One axial slice (525 of 738, counting up from the lowest) of an arterial-phase abdominal CT acquired with 120 kVp, kernel I30f; each pixel is 0.789 mm and the slice is 1.00 mm thick.
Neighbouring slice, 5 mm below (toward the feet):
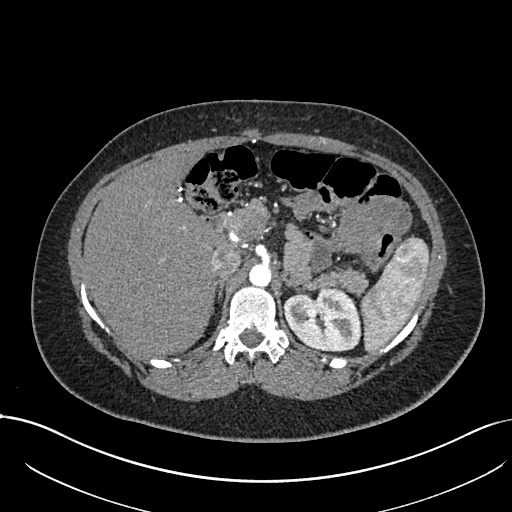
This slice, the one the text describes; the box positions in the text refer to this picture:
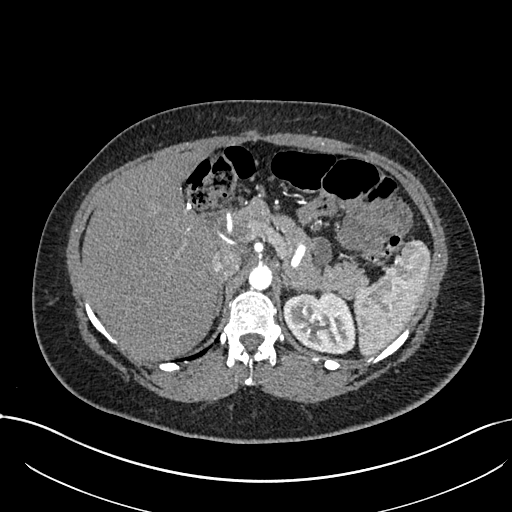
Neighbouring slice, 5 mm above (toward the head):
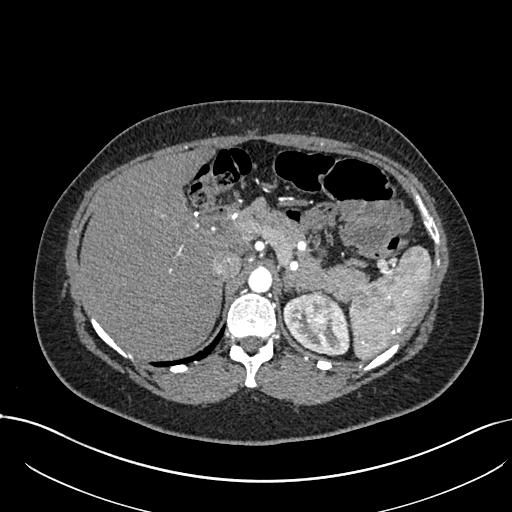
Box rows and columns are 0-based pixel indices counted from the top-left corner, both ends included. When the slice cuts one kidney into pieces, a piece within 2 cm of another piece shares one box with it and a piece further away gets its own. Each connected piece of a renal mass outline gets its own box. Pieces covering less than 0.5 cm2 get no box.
Boxed on this slice (one kidney box and one renal mass box), listed by box centre from the image's left to its right: (1) Left renal mass, box rows 301–319, columns 309–326 (outlined area 253 px, about 1.6 cm2). (2) Box rows 292–354, columns 282–355: left kidney (outlined area 3,371 px, about 21.0 cm2). This slice lies near the end of the left renal mass toward the feet; the slices 5 mm below and 5 mm above it are shown too, and the boxes mark positions on this slice only.